Axial slice 523 of 673 of a contrast-enhanced abdominal CT in the arterial phase (slice 1 is the lowest), 140 kVp, kernel I30f; 1.00 mm slice thickness and 0.957 mm pixels.
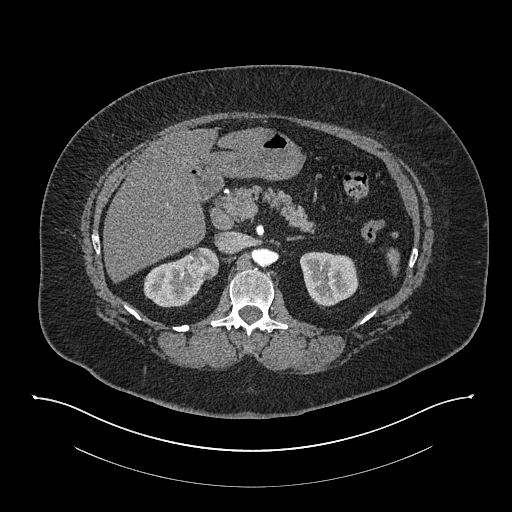
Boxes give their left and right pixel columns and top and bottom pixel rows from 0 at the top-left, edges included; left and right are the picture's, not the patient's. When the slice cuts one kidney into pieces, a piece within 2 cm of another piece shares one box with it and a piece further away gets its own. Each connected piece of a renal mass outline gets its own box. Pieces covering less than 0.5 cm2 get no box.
Boxed on this slice (two kidney boxes and one renal mass box), listed by box centre from the image's left to its right: (1) Right kidney, the box with left 143, top 254, right 203, bottom 307 (outlined area 2,064 px, about 18.9 cm2). (2) Box with left 187, top 247, right 219, bottom 280: right renal mass (outlined area 874 px, about 8.0 cm2). (3) Left kidney, the box with left 299, top 251, right 358, bottom 307 (outlined area 2,538 px, about 23.2 cm2).